Axial slice 57 of 82 of a contrast-enhanced abdominal CT in the arterial phase (slice 1 is the lowest), 120 kVp, kernel B31f; 5.00 mm slice thickness and 0.625 mm pixels.
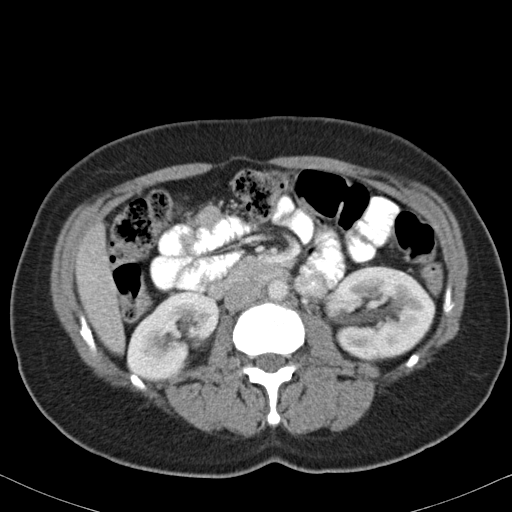
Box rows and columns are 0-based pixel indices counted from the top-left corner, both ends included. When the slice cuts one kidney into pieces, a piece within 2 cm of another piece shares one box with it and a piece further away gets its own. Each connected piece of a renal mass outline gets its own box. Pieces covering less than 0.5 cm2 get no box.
Two kidney boxes on this slice; by box centre, from the image's left to its right: (1) Box rows 291–381, columns 125–219: right kidney (outlined area 5,559 px, about 21.7 cm2). (2) Left kidney, box rows 266–358, columns 320–435 (outlined area 7,770 px, about 30.4 cm2). No renal mass outline on this slice.